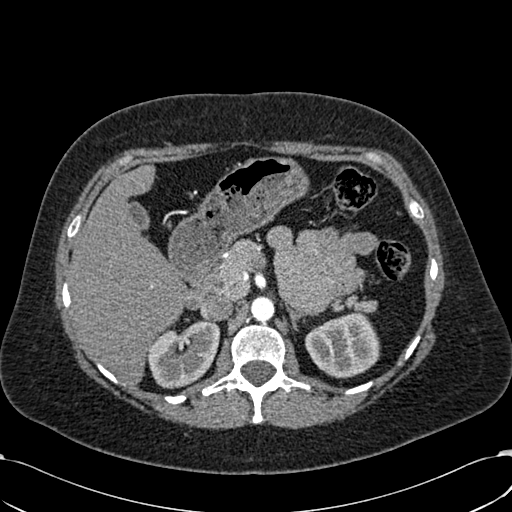
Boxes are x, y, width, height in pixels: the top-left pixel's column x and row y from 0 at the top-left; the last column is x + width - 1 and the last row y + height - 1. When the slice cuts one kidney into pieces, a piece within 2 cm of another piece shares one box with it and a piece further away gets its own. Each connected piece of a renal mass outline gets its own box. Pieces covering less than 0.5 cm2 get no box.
Slice 416/532 of a contrast-enhanced abdominal CT in the arterial phase, counting up from the lowest; pixel size 0.713 mm, slice thickness 1.00 mm. Two kidney boxes on this slice; by box centre, from the image's left to its right: (1) Right kidney at x 147, y 320, width 74, height 69 (outlined area 3,597 px, about 18.3 cm2). (2) Box x 305, y 311, width 76, height 68: left kidney (outlined area 3,705 px, about 18.8 cm2). This slice carries no renal mass outline.
Tube voltage 120 kVp; convolution kernel B30f.